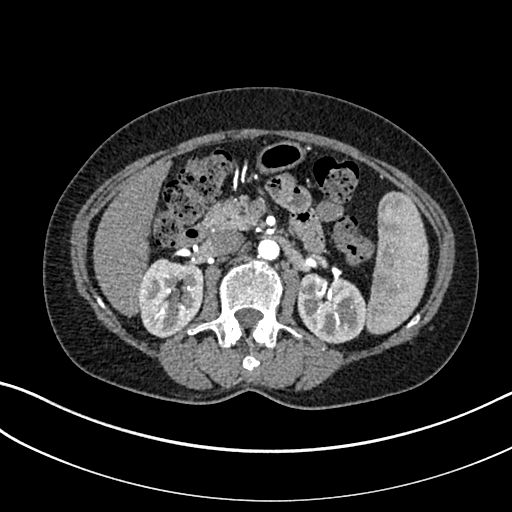
Abdominal CT with intravenous contrast, arterial phase, axial plane, 100 kVp, kernel I30f. Slice 176/325 from the bottom of the scan; thickness 1.00 mm; pixel size 0.703 mm.
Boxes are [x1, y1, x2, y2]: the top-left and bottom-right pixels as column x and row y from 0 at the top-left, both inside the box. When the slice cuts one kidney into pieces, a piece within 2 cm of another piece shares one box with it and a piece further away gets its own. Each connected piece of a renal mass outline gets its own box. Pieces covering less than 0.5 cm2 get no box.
Two boxes on this slice (two kidney boxes), listed by box centre from the image's left to its right. (1) Box [138, 258, 204, 338]: right kidney (outlined area 4,094 px, about 20.2 cm2). (2) Box [296, 273, 366, 343]: left kidney (outlined area 3,865 px, about 19.1 cm2). No renal mass outline on this slice.